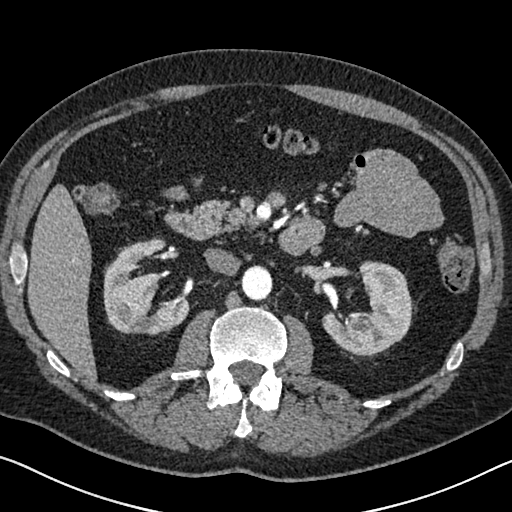
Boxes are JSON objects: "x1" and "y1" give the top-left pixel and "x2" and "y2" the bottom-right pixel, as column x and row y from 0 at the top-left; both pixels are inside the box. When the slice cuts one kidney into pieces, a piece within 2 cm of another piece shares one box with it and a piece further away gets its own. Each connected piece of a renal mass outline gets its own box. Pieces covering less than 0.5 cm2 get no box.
Slice 401/626 of a contrast-enhanced abdominal CT in the arterial phase, counting up from the lowest; pixel size 0.703 mm, slice thickness 1.00 mm. Two kidney boxes on this slice; by box centre, from the image's left to its right: (1) Right kidney at {"x1": 103, "y1": 237, "x2": 189, "y2": 335} (outlined area 5,457 px, about 27.0 cm2). (2) Left kidney at {"x1": 322, "y1": 260, "x2": 414, "y2": 356} (outlined area 5,331 px, about 26.4 cm2). No renal mass is outlined on this slice.
Scan settings: 120 kVp, I30f reconstruction kernel.